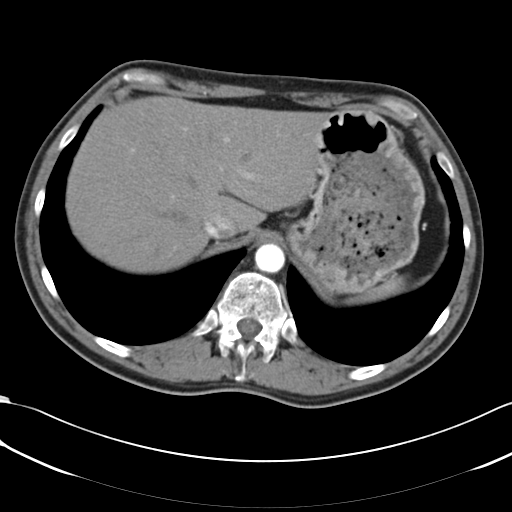
This is axial slice 52 of 66 (slice 1 is the lowest) of an arterial-phase abdominal CT with contrast; each pixel is 0.678 mm and the slice is 5.00 mm thick. No kidney and no renal mass is outlined on this slice; the outlines in this scan cover only the kidneys and the renal masses, so nothing is said about any other organ.
Tube voltage 120 kVp; convolution kernel B30f.